Arterial-phase contrast-enhanced abdominal CT, axial slice 71 of 105 (counted from the lowest slice); tube voltage 120 kVp, convolution kernel STANDARD; slices 5.00 mm thick, 0.707 mm per pixel.
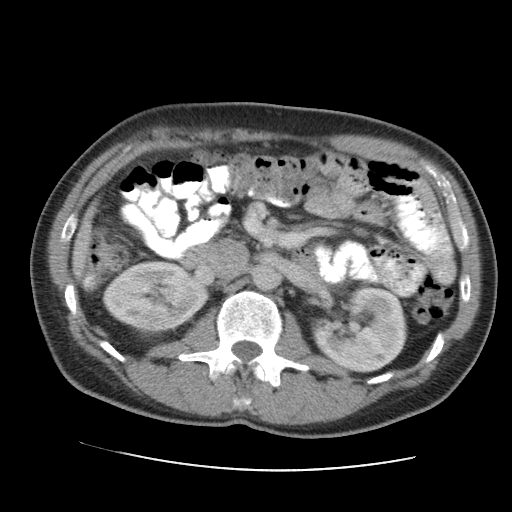
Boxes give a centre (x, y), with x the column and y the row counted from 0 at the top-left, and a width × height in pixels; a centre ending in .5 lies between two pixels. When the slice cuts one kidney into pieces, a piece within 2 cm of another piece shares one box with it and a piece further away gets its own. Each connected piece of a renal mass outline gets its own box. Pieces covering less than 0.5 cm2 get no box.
Two kidney boxes on this slice; by box centre, from the image's left to its right: (1) Box centre (155, 295), 107 × 73 pixels: right kidney (outlined area 5,662 px, about 28.3 cm2). (2) Box centre (359, 329), 97 × 87 pixels: left kidney (outlined area 6,204 px, about 31.0 cm2). This slice carries no renal mass outline.